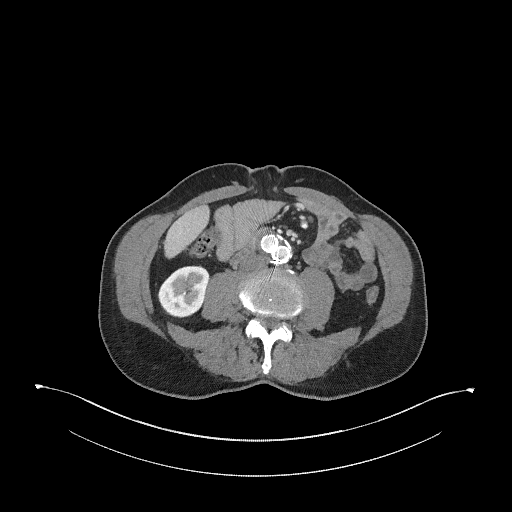
Abdominal CT with intravenous contrast, arterial phase, axial plane, 120 kVp, kernel I31f. Slice 128/345 from the bottom of the scan; thickness 2.00 mm; pixel size 0.977 mm.
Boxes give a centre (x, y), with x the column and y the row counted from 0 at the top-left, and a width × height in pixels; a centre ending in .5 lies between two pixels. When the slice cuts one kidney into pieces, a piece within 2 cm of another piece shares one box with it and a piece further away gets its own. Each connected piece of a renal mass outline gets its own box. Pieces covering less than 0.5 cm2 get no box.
Box centre (183, 291.5), 53 × 54 pixels: right kidney (outlined area 2,059 px, about 19.6 cm2). No renal mass outline on this slice.